One axial slice (78 of 94, counting up from the lowest) of a contrast-enhanced abdominal CT acquired with 120 kVp, kernel B41f; each pixel is 0.977 mm and the slice is 3.00 mm thick.
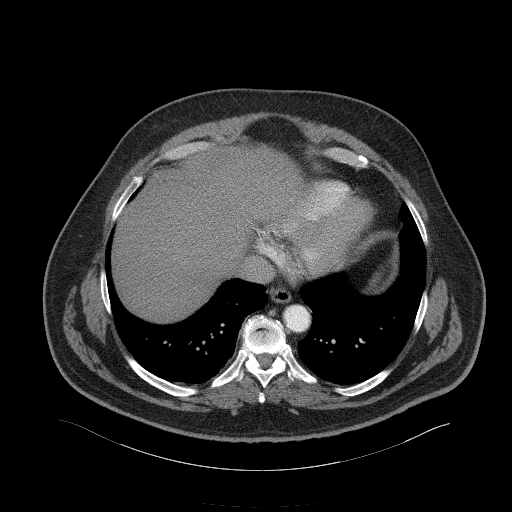
No kidney and no renal mass is outlined on this slice; the outlines in this scan cover only the kidneys and the renal masses, so nothing is said about any other organ.